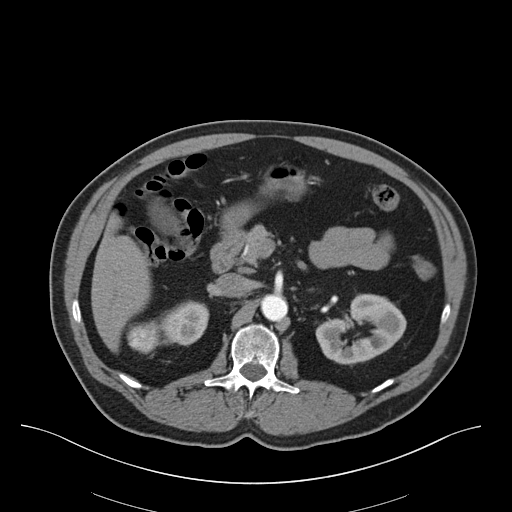
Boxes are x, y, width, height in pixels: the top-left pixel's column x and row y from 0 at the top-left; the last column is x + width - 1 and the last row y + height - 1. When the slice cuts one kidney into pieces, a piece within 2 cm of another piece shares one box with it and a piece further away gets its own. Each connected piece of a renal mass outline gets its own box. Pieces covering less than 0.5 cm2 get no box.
Contrast-enhanced abdominal CT, axial slice 39 of 75 (counted from the lowest slice); 3.00 mm thick, 0.875 mm per pixel. Three boxes on this slice (two kidney boxes and one renal mass box), listed by box centre from the image's left to its right. (1) Right renal mass, box x 127, y 320, width 37, height 34 (outlined area 911 px, about 7.0 cm2). (2) Box x 154, y 300, width 56, height 46: right kidney (outlined area 1,776 px, about 13.6 cm2). (3) Left kidney at x 315, y 293, width 92, height 73 (outlined area 4,082 px, about 31.3 cm2).
Scan settings: 140 kVp, B30f reconstruction kernel.